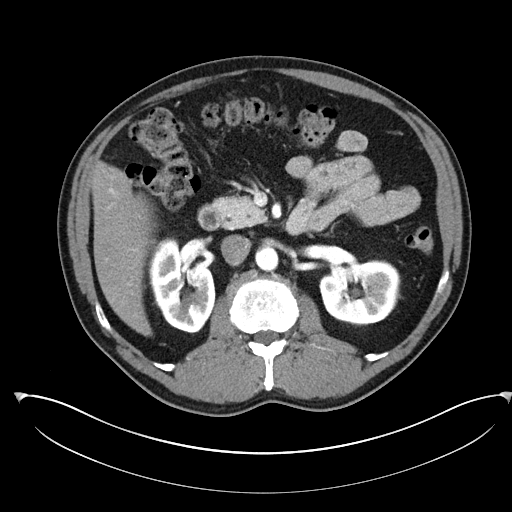
Axial slice 143 of 302 of a contrast-enhanced abdominal CT in the arterial phase (slice 1 is the lowest), 100 kVp, kernel I30f; 5.00 mm slice thickness and 0.875 mm pixels.
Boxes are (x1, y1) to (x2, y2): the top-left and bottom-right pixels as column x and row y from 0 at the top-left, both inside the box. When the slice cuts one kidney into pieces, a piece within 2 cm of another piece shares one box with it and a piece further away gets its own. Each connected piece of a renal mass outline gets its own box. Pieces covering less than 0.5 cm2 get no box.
Two kidney boxes on this slice; by box centre, from the image's left to its right: (1) Box (147, 237) to (215, 333): right kidney (outlined area 4,853 px, about 37.2 cm2). (2) Left kidney from (319, 259) to (401, 325) (outlined area 4,298 px, about 32.9 cm2). This slice carries no renal mass outline.